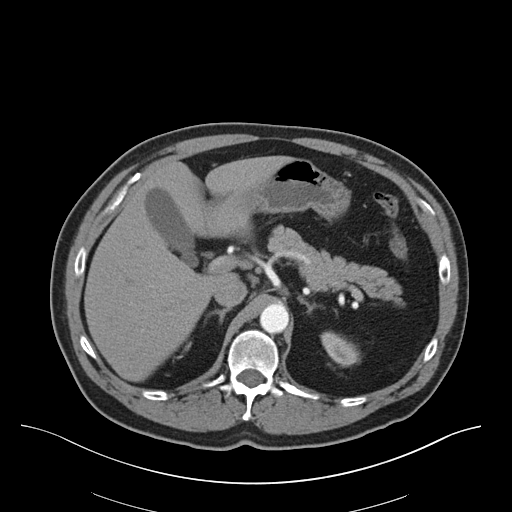
Axial slice 48 of 75 of a contrast-enhanced abdominal CT (slice 1 is the lowest), 140 kVp, kernel B30f; 3.00 mm slice thickness and 0.875 mm pixels.
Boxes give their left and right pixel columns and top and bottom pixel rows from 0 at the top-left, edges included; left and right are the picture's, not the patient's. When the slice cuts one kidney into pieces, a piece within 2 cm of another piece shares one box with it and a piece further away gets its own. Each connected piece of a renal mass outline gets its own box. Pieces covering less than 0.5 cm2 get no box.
Left kidney, the box with left 320, top 331, right 360, bottom 367 (outlined area 941 px, about 7.2 cm2). This slice carries no renal mass outline.